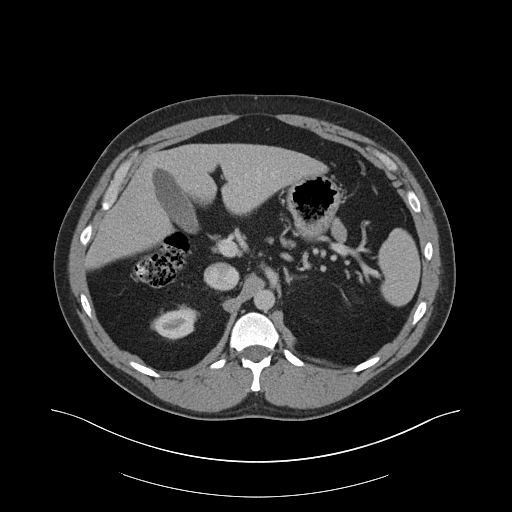
Arterial-phase contrast-enhanced abdominal CT, axial slice 126 of 159 (counted from the lowest slice); tube voltage 140 kVp, convolution kernel B30f; slices 3.00 mm thick, 0.977 mm per pixel.
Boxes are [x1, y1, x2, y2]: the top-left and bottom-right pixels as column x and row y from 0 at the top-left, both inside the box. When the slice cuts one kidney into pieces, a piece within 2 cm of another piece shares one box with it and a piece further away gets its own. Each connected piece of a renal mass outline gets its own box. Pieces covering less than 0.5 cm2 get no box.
Box [151, 308, 199, 339]: right kidney (outlined area 1,083 px, about 10.3 cm2). No renal mass outline on this slice.